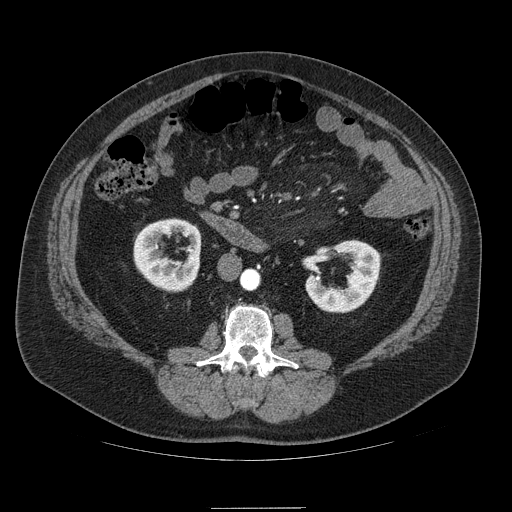
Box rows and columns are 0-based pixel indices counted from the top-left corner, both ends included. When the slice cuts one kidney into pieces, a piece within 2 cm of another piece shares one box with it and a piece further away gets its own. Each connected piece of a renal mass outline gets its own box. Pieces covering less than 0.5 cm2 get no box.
Arterial-phase contrast-enhanced abdominal CT, axial slice 39 of 121 (counted from the lowest slice); 2.50 mm thick, 0.861 mm per pixel. Two kidney boxes on this slice; by box centre, from the image's left to its right: (1) Box rows 218–291, columns 133–201: right kidney (outlined area 3,545 px, about 26.3 cm2). (2) Box rows 240–312, columns 305–380: left kidney (outlined area 3,515 px, about 26.1 cm2). No renal mass is outlined on this slice.
Acquired at 120 kVp and reconstructed with the STANDARD kernel.